Arterial-phase contrast-enhanced abdominal CT, axial slice 189 of 326 (counted from the lowest slice); tube voltage 120 kVp, convolution kernel B31f; slices 2.00 mm thick, 0.963 mm per pixel.
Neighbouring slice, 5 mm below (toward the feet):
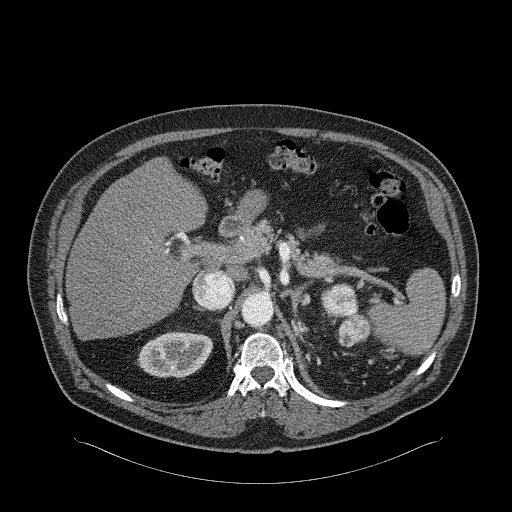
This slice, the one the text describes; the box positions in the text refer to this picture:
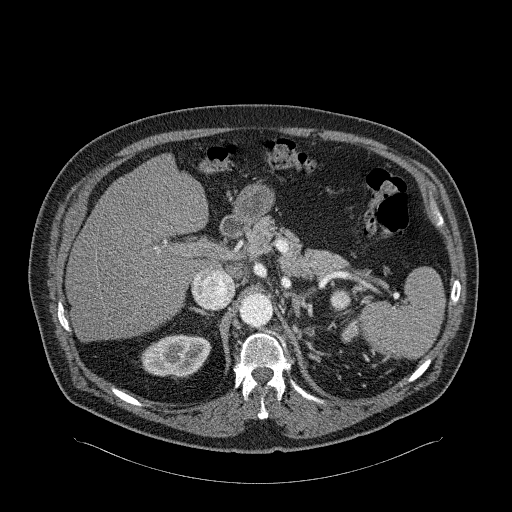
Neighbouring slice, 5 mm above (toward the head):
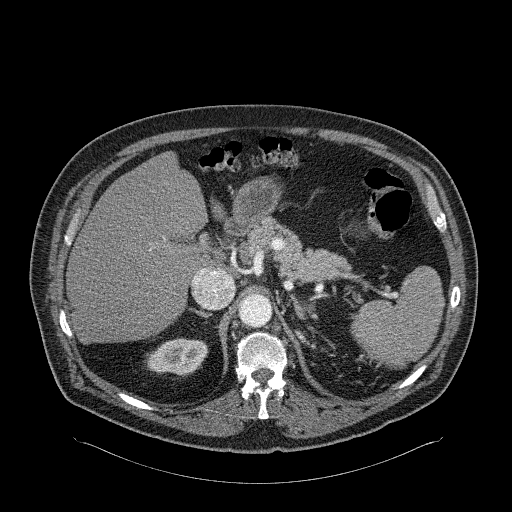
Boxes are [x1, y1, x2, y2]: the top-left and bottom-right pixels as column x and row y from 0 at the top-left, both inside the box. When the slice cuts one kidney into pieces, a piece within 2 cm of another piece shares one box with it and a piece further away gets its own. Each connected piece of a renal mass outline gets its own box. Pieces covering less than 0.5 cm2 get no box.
Three boxes on this slice (one kidney box and two renal mass boxes), listed by box centre from the image's left to its right. (1) Right kidney, box [141, 334, 211, 379] (outlined area 2,384 px, about 22.1 cm2). (2) Left renal mass at [330, 289, 350, 309] (outlined area 342 px, about 3.2 cm2); here it is more than 1 cm from any kidney outline, though on another slice the same outlined renal mass lies within 1 cm of the kidney. (3) Left renal mass, box [341, 319, 358, 341] (outlined area 287 px, about 2.7 cm2); on this slice it lies more than 1 cm from any kidney outline, but the same outlined renal mass comes within 1 cm of the kidney on another slice. This slice lies near the end of the left renal mass toward the head; the slices 5 mm below and 5 mm above it are shown too, and the boxes mark positions on this slice only.